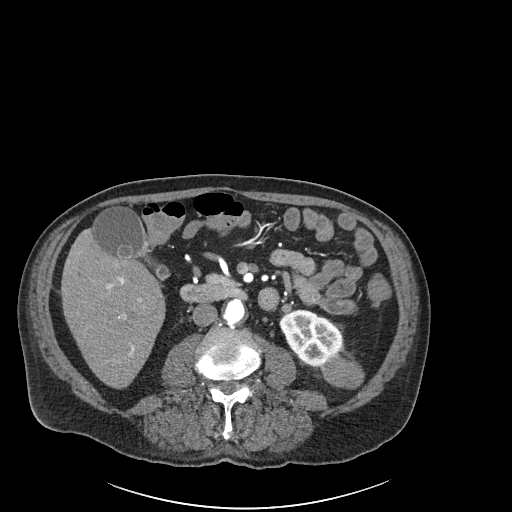
Arterial-phase contrast-enhanced abdominal CT, axial slice 77 of 261 (counted from the lowest slice); tube voltage 120 kVp, convolution kernel I30f; slices 2.00 mm thick, 0.939 mm per pixel.
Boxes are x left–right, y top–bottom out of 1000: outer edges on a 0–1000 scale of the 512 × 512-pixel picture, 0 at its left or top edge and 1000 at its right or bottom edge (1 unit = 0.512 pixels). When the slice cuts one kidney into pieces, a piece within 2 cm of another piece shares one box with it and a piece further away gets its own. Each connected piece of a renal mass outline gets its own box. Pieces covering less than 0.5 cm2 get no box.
Two boxes on this slice (one kidney box and one renal mass box), listed by box centre from the image's left to its right. (1) Left kidney at x 547–670, y 604–717 out of 1000 (outlined area 2,487 px, about 21.9 cm2). (2) Left renal mass, box x 623–713, y 688–762 out of 1000 (outlined area 1,143 px, about 10.1 cm2).